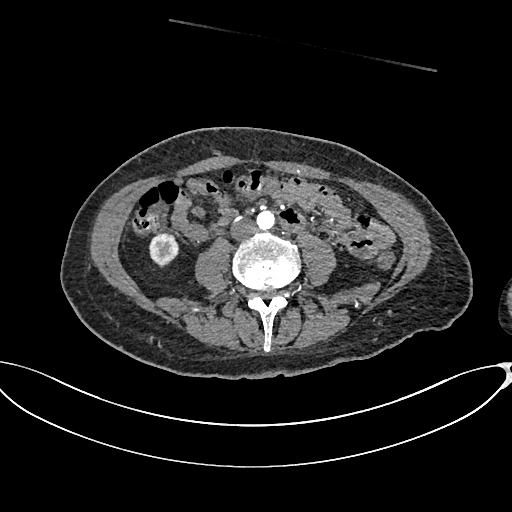
One axial slice (280 of 665, counting up from the lowest) of an arterial-phase abdominal CT acquired with 100 kVp, kernel I26f; each pixel is 0.828 mm and the slice is 1.00 mm thick.
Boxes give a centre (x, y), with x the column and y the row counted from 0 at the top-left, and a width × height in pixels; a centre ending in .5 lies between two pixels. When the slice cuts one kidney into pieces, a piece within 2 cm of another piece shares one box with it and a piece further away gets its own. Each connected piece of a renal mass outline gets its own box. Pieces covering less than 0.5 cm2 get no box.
Right kidney, box centre (164, 249.5), 31 × 36 pixels (outlined area 795 px, about 5.5 cm2). No renal mass outline on this slice.